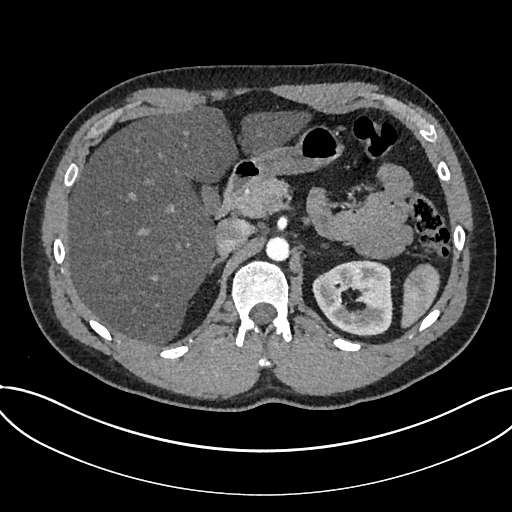
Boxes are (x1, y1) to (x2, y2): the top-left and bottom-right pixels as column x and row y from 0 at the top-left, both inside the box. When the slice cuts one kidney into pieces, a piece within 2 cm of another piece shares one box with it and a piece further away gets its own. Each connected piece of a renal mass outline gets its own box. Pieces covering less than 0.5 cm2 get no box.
Slice 504/735 of a contrast-enhanced abdominal CT in the arterial phase, counting up from the lowest; pixel size 0.789 mm, slice thickness 1.00 mm. Kidney from (312, 261) to (392, 336) (outlined area 4,642 px, about 28.9 cm2). This slice carries no renal mass outline.
Scan settings: 120 kVp, I30f reconstruction kernel.